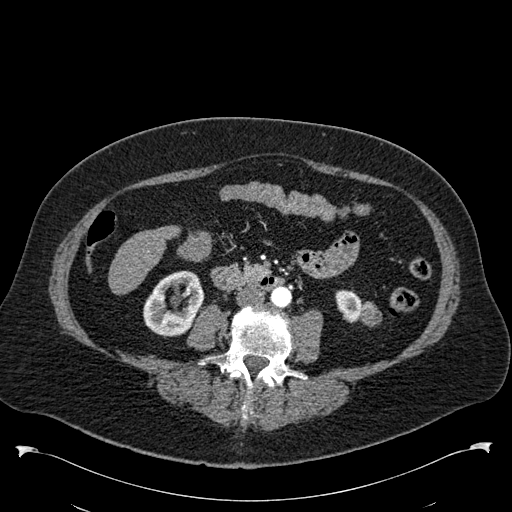
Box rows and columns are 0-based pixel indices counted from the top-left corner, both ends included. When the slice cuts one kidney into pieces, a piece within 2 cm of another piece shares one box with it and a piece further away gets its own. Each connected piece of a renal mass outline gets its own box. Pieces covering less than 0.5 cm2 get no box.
This is axial slice 238 of 538 (slice 1 is the lowest) of an arterial-phase abdominal CT with contrast; each pixel is 0.811 mm and the slice is 1.00 mm thick. Three boxes on this slice (two kidney boxes and one renal mass box), listed by box centre from the image's left to its right. (1) Right kidney, box rows 270–337, columns 143–204 (outlined area 2,804 px, about 18.4 cm2). (2) Left kidney at rows 289–322, columns 335–361 (outlined area 682 px, about 4.5 cm2). (3) Left renal mass at rows 301–326, columns 360–381 (outlined area 426 px, about 2.8 cm2).
Tube voltage 120 kVp; convolution kernel B30f.